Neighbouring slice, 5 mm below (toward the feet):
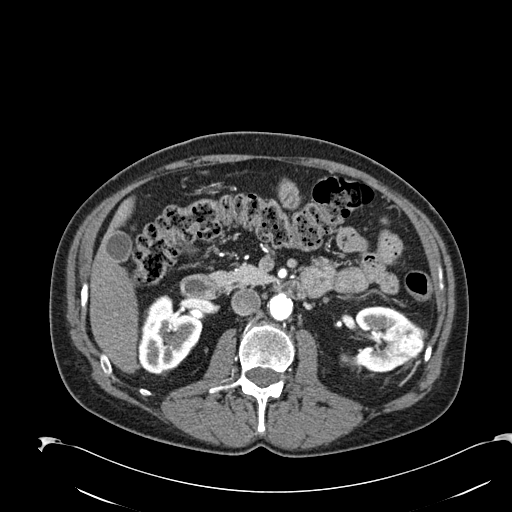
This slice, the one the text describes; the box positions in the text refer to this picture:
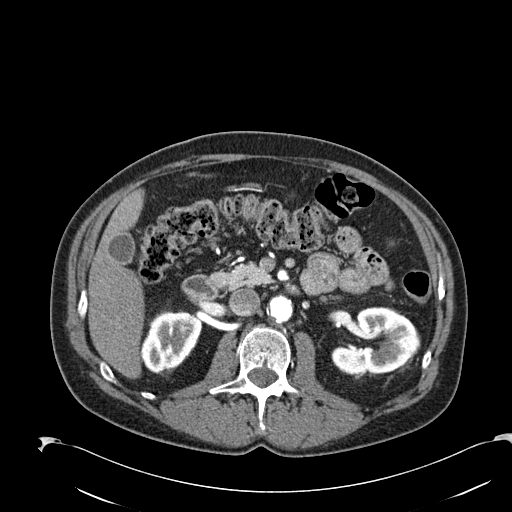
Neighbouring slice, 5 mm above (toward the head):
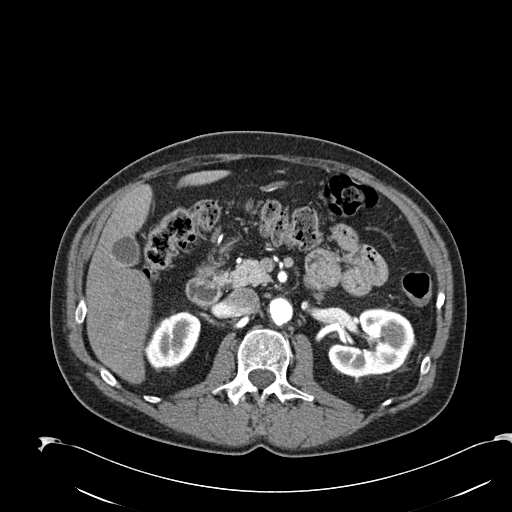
Axial slice 121 of 274 of a contrast-enhanced abdominal CT in the arterial phase (slice 1 is the lowest), 120 kVp, kernel B30f; 2.00 mm slice thickness and 0.809 mm pixels.
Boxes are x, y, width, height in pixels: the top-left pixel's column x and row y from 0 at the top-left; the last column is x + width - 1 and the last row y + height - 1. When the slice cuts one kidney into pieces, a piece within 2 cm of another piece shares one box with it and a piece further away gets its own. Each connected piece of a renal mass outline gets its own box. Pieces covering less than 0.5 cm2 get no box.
Three boxes on this slice (two kidney boxes and one renal mass box), listed by box centre from the image's left to its right. (1) Right kidney, box x 142, y 310, width 61, height 64 (outlined area 2,828 px, about 18.5 cm2). (2) Box x 331, y 307, width 88, height 68: left kidney (outlined area 3,891 px, about 25.4 cm2). (3) Box x 398, y 335, width 22, height 19: left renal mass (outlined area 305 px, about 2.0 cm2). This slice is near the end of the left renal mass toward the head, so the slices 5 mm below and 5 mm above it are shown as well; the boxes refer to this slice only.